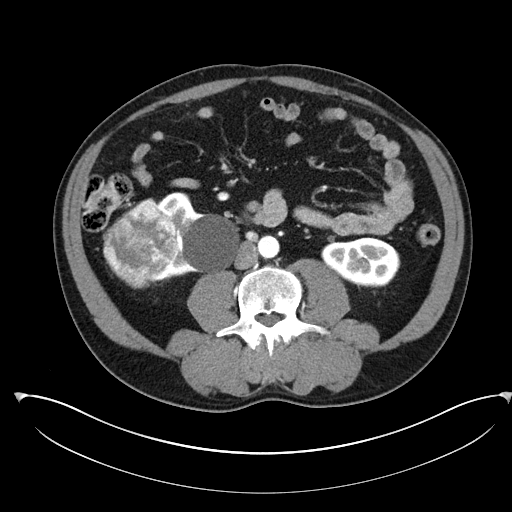
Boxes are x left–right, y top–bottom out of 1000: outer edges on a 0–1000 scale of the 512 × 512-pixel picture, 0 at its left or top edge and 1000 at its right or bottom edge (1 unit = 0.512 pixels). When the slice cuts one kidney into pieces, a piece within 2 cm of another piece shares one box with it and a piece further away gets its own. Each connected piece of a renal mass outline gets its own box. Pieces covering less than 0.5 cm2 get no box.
This is axial slice 117 of 302 (slice 1 is the lowest) of an arterial-phase abdominal CT with contrast; each pixel is 0.875 mm and the slice is 5.00 mm thick. Boxed on this slice (two kidney boxes and one renal mass box), listed by box centre from the image's left to its right: (1) Box x 201–348, y 387–564 out of 1000: right renal mass (outlined area 4,782 px, about 36.6 cm2). (2) Box x 301–469, y 375–557 out of 1000: right kidney (outlined area 4,263 px, about 32.6 cm2). (3) Left kidney, box x 627–783, y 463–563 out of 1000 (outlined area 2,980 px, about 22.8 cm2).
Scan settings: 100 kVp, I30f reconstruction kernel.